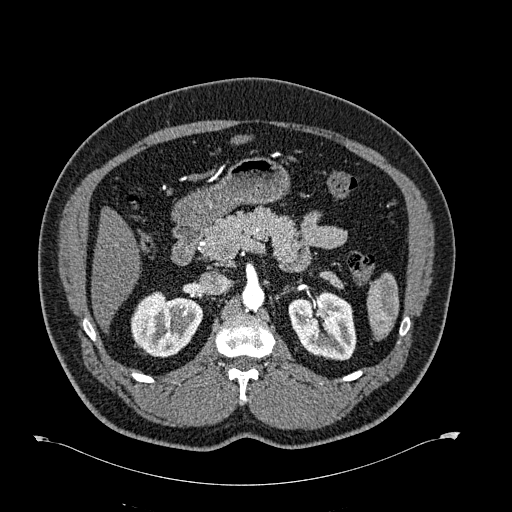
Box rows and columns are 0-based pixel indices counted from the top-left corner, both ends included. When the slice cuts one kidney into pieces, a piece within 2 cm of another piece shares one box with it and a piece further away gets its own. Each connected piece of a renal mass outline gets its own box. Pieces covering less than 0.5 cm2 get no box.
This is axial slice 414 of 723 (slice 1 is the lowest) of an arterial-phase abdominal CT with contrast; each pixel is 0.895 mm and the slice is 1.00 mm thick. Two boxes on this slice (two kidney boxes), listed by box centre from the image's left to its right. (1) Box rows 291–357, columns 130–203: right kidney (outlined area 3,543 px, about 28.4 cm2). (2) Box rows 290–360, columns 288–356: left kidney (outlined area 3,657 px, about 29.3 cm2). No renal mass outline on this slice.
Tube voltage 120 kVp; convolution kernel B30f.